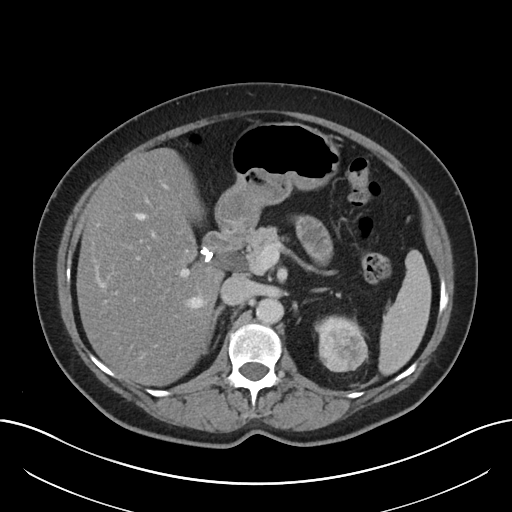
Axial slice 133 of 197 of a contrast-enhanced abdominal CT (slice 1 is the lowest), 120 kVp, kernel I30f; 5.00 mm slice thickness and 0.791 mm pixels.
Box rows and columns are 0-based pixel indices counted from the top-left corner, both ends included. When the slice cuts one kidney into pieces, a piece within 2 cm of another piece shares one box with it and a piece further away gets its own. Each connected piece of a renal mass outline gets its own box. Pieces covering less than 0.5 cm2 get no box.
Box rows 315–372, columns 314–368: left renal mass (outlined area 2,437 px, about 15.2 cm2).